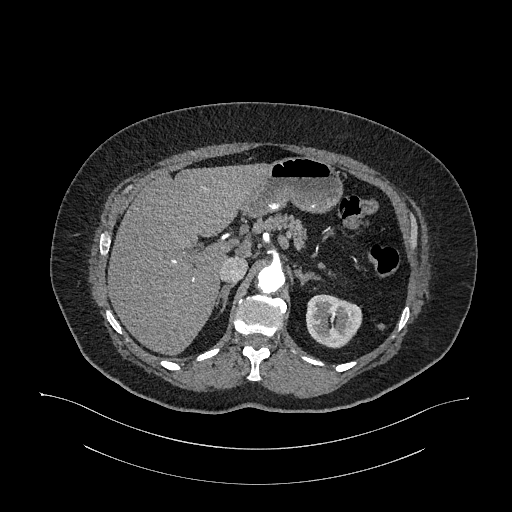
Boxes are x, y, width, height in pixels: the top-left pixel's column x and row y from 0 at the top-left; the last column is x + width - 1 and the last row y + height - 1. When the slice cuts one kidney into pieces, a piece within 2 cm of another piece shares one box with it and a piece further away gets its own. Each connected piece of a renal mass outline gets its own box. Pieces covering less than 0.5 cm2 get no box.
Arterial-phase contrast-enhanced abdominal CT, axial slice 764 of 987 (counted from the lowest slice); 1.00 mm thick, 0.977 mm per pixel. Box x 306, y 294, width 57, height 55: left kidney (outlined area 2,376 px, about 22.7 cm2). No renal mass outline on this slice.
Acquired at 120 kVp and reconstructed with the I26f kernel.